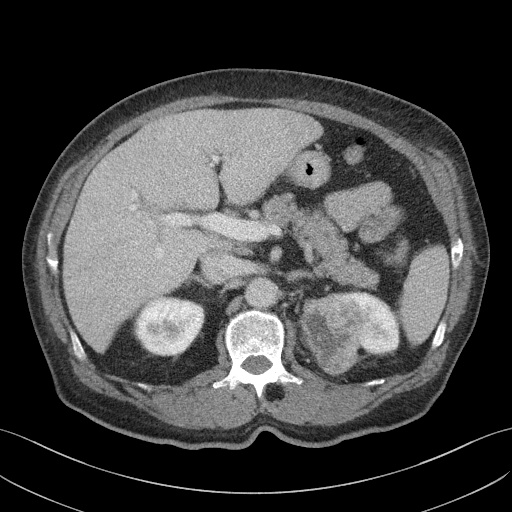
Axial slice 78 of 103 of a contrast-enhanced abdominal CT (slice 1 is the lowest), 100 kVp, kernel I41f; 4.00 mm slice thickness and 0.742 mm pixels.
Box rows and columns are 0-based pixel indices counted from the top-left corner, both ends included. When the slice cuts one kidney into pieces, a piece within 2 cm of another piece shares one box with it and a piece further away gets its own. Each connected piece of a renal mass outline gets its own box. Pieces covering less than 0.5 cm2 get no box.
Boxed on this slice (two kidney boxes and one renal mass box), listed by box centre from the image's left to its right: (1) Box rows 296–355, columns 135–204: right kidney (outlined area 3,175 px, about 17.5 cm2). (2) Box rows 293–375, columns 300–366: left renal mass (outlined area 4,092 px, about 22.5 cm2). (3) Left kidney at rows 291–355, columns 344–399 (outlined area 1,961 px, about 10.8 cm2).